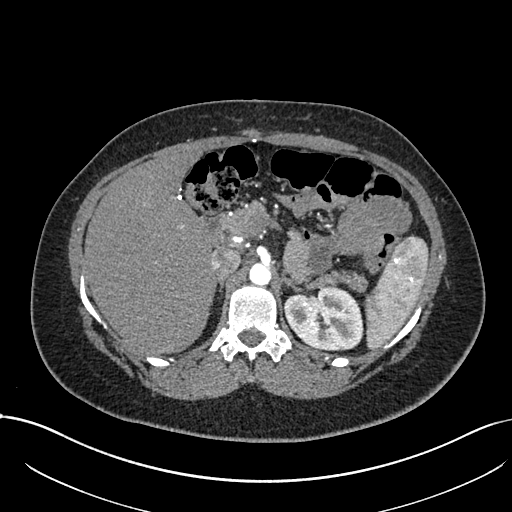
Axial slice 511 of 738 of a contrast-enhanced abdominal CT in the arterial phase (slice 1 is the lowest), 120 kVp, kernel I30f; 1.00 mm slice thickness and 0.789 mm pixels.
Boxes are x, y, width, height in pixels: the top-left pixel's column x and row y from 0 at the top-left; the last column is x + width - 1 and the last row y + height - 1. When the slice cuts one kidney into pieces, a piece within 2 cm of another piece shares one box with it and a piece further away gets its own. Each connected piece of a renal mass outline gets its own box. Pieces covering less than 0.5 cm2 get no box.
Box x 282, y 285, width 82, height 67: left kidney (outlined area 4,092 px, about 25.5 cm2). No renal mass outline on this slice.